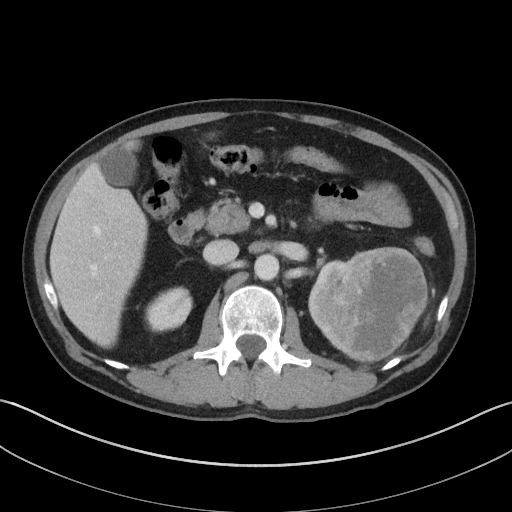
Abdominal CT with intravenous contrast, axial plane, 100 kVp, kernel I41f. Slice 70/143 from the bottom of the scan; thickness 5.00 mm; pixel size 0.734 mm.
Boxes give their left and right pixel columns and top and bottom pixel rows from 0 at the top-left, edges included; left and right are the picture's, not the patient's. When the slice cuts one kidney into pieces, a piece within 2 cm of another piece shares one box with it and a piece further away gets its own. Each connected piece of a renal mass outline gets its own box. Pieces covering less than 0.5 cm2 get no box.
Two kidney boxes and one renal mass box on this slice; by box centre, from the image's left to its right: (1) Box with left 144, top 286, right 192, bottom 332: right kidney (outlined area 1,666 px, about 9.0 cm2). (2) Box with left 308, top 259, right 370, bottom 364: left kidney (outlined area 2,189 px, about 11.8 cm2). (3) Box with left 337, top 247, right 428, bottom 363: left renal mass (outlined area 8,300 px, about 44.8 cm2).